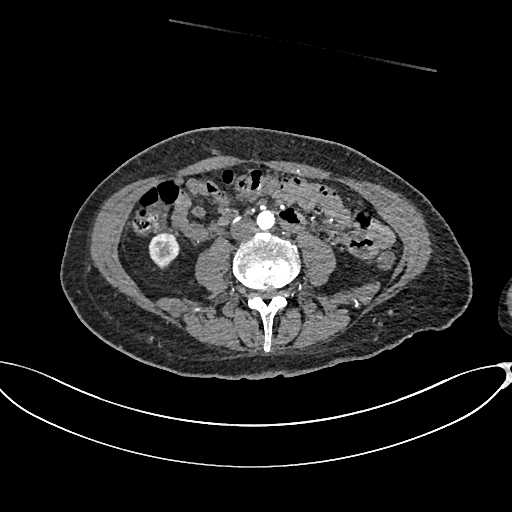
Abdominal CT with intravenous contrast, arterial phase, axial plane, 100 kVp, kernel I26f. Slice 281/665 from the bottom of the scan; thickness 1.00 mm; pixel size 0.828 mm.
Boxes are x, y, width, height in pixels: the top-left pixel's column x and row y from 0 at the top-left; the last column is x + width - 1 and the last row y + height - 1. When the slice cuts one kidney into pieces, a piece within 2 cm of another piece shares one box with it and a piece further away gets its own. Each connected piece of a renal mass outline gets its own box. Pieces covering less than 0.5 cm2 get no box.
Box x 148, y 231, width 33, height 39: right kidney (outlined area 862 px, about 5.9 cm2). No renal mass outline on this slice.